Abdominal CT with intravenous contrast, arterial phase, axial plane, 120 kVp, kernel I26f. Slice 307/548 from the bottom of the scan; thickness 1.00 mm; pixel size 0.852 mm.
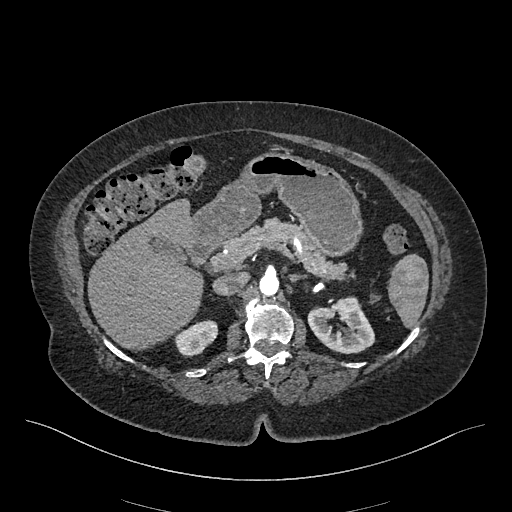
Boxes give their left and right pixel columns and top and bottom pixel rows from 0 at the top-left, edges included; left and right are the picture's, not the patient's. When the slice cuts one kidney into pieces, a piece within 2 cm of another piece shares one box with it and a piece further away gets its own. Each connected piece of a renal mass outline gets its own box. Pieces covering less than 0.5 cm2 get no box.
Boxed on this slice (two kidney boxes), listed by box centre from the image's left to its right: (1) Right kidney, the box with left 174, top 320, right 218, bottom 356 (outlined area 1,112 px, about 8.1 cm2). (2) Left kidney in the box with left 307, top 296, right 374, bottom 353 (outlined area 2,662 px, about 19.3 cm2).